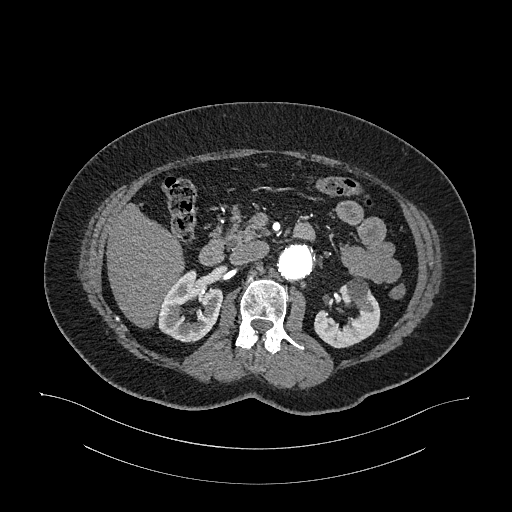
Abdominal CT with intravenous contrast, arterial phase, axial plane, 120 kVp, kernel I26f. Slice 664/987 from the bottom of the scan; thickness 1.00 mm; pixel size 0.977 mm.
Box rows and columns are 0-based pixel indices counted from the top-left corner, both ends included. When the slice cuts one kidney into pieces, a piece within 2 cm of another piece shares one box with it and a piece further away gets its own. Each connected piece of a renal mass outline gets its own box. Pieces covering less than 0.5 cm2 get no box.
Two kidney boxes on this slice; by box centre, from the image's left to its right: (1) Right kidney, box rows 270–342, columns 158–223 (outlined area 3,192 px, about 30.4 cm2). (2) Left kidney, box rows 276–348, columns 314–380 (outlined area 2,840 px, about 27.1 cm2). This slice carries no renal mass outline.